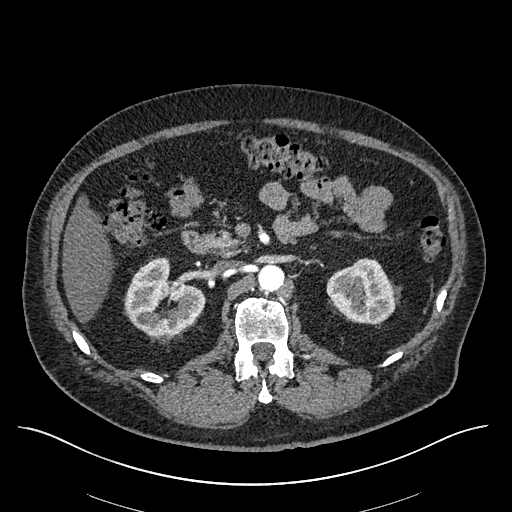
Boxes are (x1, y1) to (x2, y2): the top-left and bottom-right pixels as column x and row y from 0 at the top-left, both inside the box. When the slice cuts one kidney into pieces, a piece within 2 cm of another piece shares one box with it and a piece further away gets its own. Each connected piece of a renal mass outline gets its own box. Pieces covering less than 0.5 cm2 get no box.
This is axial slice 362 of 670 (slice 1 is the lowest) of an arterial-phase abdominal CT with contrast; each pixel is 0.861 mm and the slice is 1.00 mm thick. Two boxes on this slice (two kidney boxes), listed by box centre from the image's left to its right. (1) Right kidney, box (124, 257) to (205, 337) (outlined area 4,431 px, about 32.9 cm2). (2) Box (326, 258) to (401, 323): left kidney (outlined area 3,487 px, about 25.9 cm2). This slice carries no renal mass outline.
Scan settings: 120 kVp, I30f reconstruction kernel.